Arterial-phase contrast-enhanced abdominal CT, axial slice 209 of 261 (counted from the lowest slice); tube voltage 120 kVp, convolution kernel I30f; slices 2.00 mm thick, 0.939 mm per pixel.
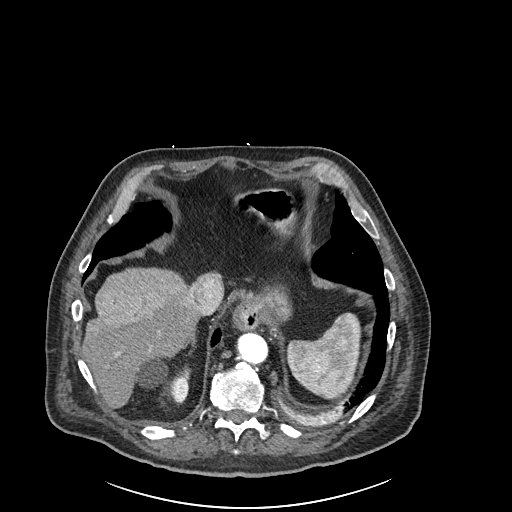
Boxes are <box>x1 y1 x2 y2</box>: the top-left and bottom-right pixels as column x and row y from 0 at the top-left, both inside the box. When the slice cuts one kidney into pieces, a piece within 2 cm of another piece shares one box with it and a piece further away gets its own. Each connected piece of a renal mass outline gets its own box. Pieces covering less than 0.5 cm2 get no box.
Right kidney at <box>138 360 190 403</box> (outlined area 1,132 px, about 10.0 cm2). No renal mass is outlined on this slice.